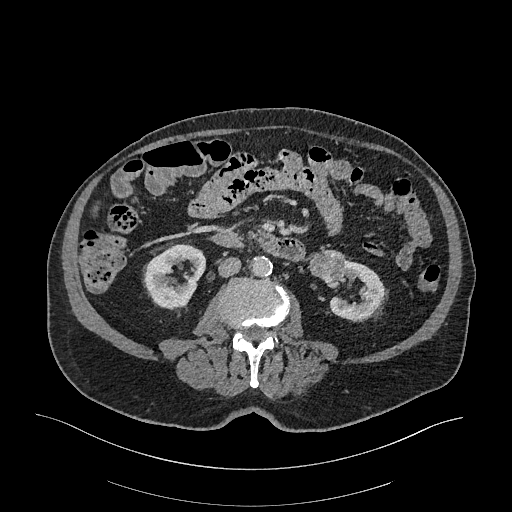
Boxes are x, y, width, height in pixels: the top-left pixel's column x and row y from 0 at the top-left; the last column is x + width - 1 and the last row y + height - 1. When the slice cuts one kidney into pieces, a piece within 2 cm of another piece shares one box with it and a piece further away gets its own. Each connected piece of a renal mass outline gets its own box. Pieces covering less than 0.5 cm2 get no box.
Slice 118/470 of a contrast-enhanced abdominal CT in the arterial phase, counting up from the lowest; pixel size 0.938 mm, slice thickness 1.00 mm. Two kidney boxes and one renal mass box on this slice; by box centre, from the image's left to its right: (1) Box x 142, y 244, width 64, height 67: right kidney (outlined area 2,912 px, about 25.6 cm2). (2) Left renal mass at x 308, y 249, width 38, height 33 (outlined area 969 px, about 8.5 cm2). (3) Left kidney at x 323, y 259, width 62, height 63 (outlined area 2,103 px, about 18.5 cm2).
Acquired at 120 kVp and reconstructed with the I26f kernel.